Axial slice 142 of 262 of a contrast-enhanced abdominal CT in the arterial phase (slice 1 is the lowest), 120 kVp, kernel STANDARD; 2.50 mm slice thickness and 0.703 mm pixels.
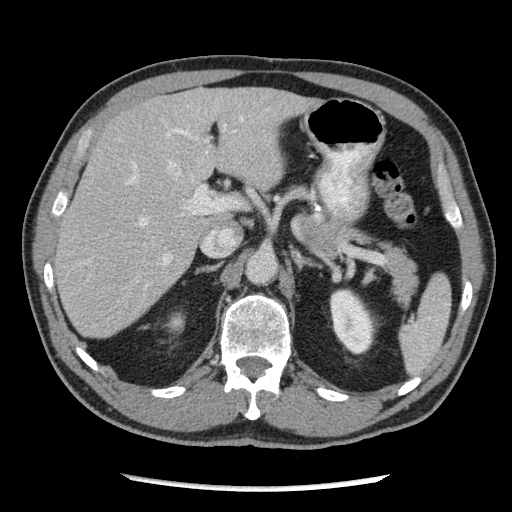
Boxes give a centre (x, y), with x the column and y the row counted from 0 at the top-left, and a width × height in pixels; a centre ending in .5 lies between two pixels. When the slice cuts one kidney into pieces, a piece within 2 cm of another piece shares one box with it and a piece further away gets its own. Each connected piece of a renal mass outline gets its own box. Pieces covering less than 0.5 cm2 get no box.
Two boxes on this slice (two kidney boxes), listed by box centre from the image's left to its right. (1) Right kidney, box centre (175, 323), 21 × 25 pixels (outlined area 381 px, about 1.9 cm2). (2) Left kidney, box centre (352, 321), 47 × 67 pixels (outlined area 2,286 px, about 11.3 cm2). No renal mass outline on this slice.